Abdominal CT with intravenous contrast, axial plane, 120 kVp, kernel B31f. Slice 190/274 from the bottom of the scan; thickness 2.00 mm; pixel size 0.977 mm.
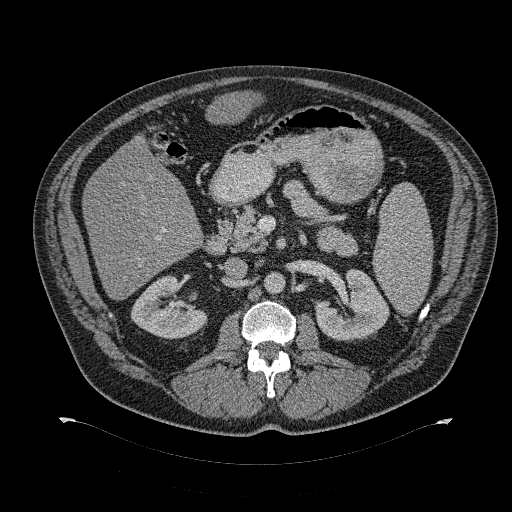
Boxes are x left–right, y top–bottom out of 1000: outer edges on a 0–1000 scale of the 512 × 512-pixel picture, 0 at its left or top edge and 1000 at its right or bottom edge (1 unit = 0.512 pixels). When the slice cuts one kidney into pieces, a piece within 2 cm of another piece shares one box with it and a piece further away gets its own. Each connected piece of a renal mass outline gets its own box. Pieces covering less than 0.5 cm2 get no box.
Two kidney boxes on this slice; by box centre, from the image's left to its right: (1) Right kidney, box x 254–406, y 539–664 out of 1000 (outlined area 3,188 px, about 30.4 cm2). (2) Box x 615–762, y 523–668 out of 1000: left kidney (outlined area 3,613 px, about 34.5 cm2). No renal mass is outlined on this slice.